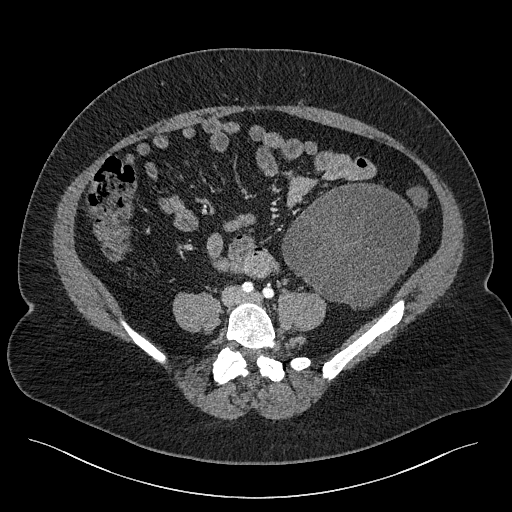
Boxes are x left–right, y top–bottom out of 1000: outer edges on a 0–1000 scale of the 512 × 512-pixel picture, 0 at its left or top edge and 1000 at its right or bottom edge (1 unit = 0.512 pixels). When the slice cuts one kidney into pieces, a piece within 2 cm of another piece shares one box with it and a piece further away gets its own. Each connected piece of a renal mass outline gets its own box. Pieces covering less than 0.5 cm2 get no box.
Contrast-enhanced abdominal CT, axial slice 54 of 301 (counted from the lowest slice); 2.00 mm thick, 0.859 mm per pixel. Box x 551–820, y 357–605 out of 1000: left renal mass (outlined area 12,448 px, about 91.9 cm2); no kidney is outlined on this slice, but the same outlined renal mass comes within 1 cm of the kidney on another slice.
Tube voltage 120 kVp; convolution kernel I40f.